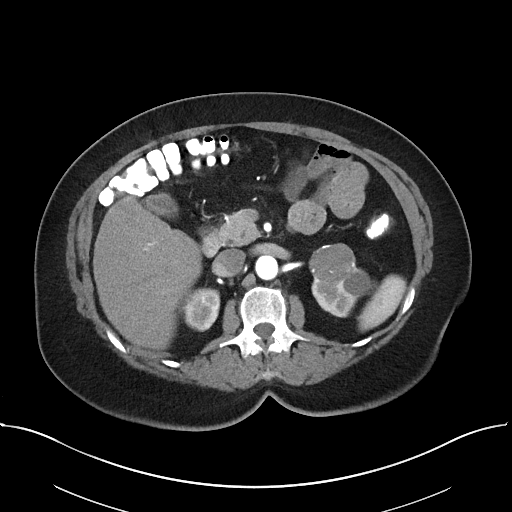
Abdominal CT with intravenous contrast, arterial phase, axial plane, 100 kVp, kernel I40f. Slice 22/38 from the bottom of the scan; thickness 5.00 mm; pixel size 0.822 mm.
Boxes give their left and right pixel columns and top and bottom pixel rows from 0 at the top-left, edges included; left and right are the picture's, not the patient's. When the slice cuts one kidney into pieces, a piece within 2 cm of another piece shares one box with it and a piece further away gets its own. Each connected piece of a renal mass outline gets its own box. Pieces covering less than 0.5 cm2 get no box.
Boxed on this slice (two kidney boxes and one renal mass box), listed by box centre from the image's left to its right: (1) Right kidney, the box with left 181, top 287, right 220, bottom 331 (outlined area 1,336 px, about 9.0 cm2). (2) Box with left 309, top 243, right 355, bottom 283: left renal mass (outlined area 1,415 px, about 9.6 cm2). (3) Left kidney in the box with left 311, top 265, right 373, bottom 317 (outlined area 1,839 px, about 12.4 cm2).